One axial slice (503 of 787, counting up from the lowest) of a contrast-enhanced abdominal CT acquired with 140 kVp, kernel I30f; each pixel is 0.910 mm and the slice is 1.00 mm thick.
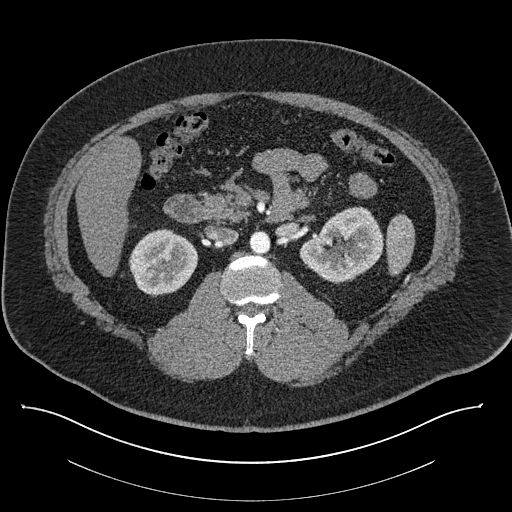
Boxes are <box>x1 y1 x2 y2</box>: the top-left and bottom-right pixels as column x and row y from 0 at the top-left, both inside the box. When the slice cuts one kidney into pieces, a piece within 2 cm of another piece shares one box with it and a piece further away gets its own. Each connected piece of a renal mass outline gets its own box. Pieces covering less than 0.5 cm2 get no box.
Boxed on this slice (two kidney boxes), listed by box centre from the image's left to its right: (1) At <box>129 228 198 296</box>: right kidney (outlined area 3,512 px, about 29.1 cm2). (2) Left kidney at <box>299 206 383 284</box> (outlined area 4,462 px, about 37.0 cm2). No renal mass outline on this slice.